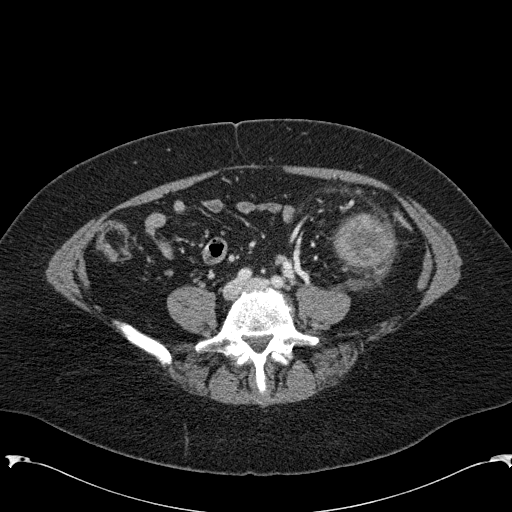
Arterial-phase contrast-enhanced abdominal CT, axial slice 22 of 285 (counted from the lowest slice); tube voltage 120 kVp, convolution kernel B31f; slices 2.00 mm thick, 0.762 mm per pixel.
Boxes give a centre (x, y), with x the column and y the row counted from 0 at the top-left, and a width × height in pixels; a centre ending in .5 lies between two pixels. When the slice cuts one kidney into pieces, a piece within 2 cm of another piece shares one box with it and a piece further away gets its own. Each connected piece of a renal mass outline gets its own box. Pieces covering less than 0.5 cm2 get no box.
Left renal mass, box centre (361.5, 243.5), 64 × 64 pixels (outlined area 3,005 px, about 17.4 cm2); no kidney outline appears on this slice, but the same outlined renal mass comes within 1 cm of the kidney on another slice.